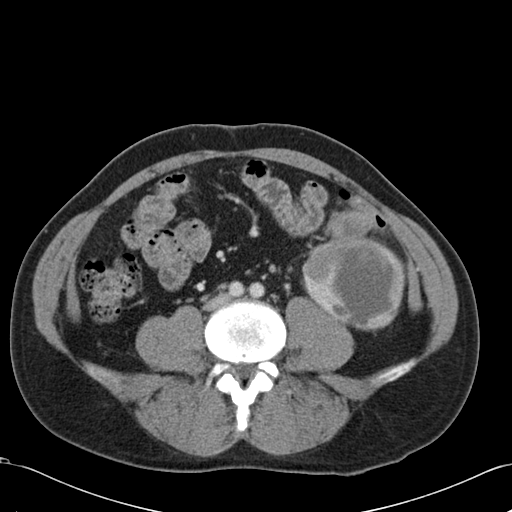
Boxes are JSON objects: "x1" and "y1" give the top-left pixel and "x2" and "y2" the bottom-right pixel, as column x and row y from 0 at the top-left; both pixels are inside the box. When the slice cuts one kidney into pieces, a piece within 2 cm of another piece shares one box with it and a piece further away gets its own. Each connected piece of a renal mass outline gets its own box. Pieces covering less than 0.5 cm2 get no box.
Arterial-phase contrast-enhanced abdominal CT, axial slice 46 of 99 (counted from the lowest slice); 5.00 mm thick, 0.693 mm per pixel. Box {"x1": 301, "y1": 211, "x2": 405, "y2": 331}: left renal mass (outlined area 8,624 px, about 41.5 cm2); this slice has no kidney outline, though on another slice the same outlined renal mass lies within 1 cm of the kidney.
Acquired at 120 kVp and reconstructed with the B30f kernel.